Arterial-phase contrast-enhanced abdominal CT, axial slice 40 of 94 (counted from the lowest slice); tube voltage 100 kVp, convolution kernel I41f; slices 5.00 mm thick, 0.551 mm per pixel.
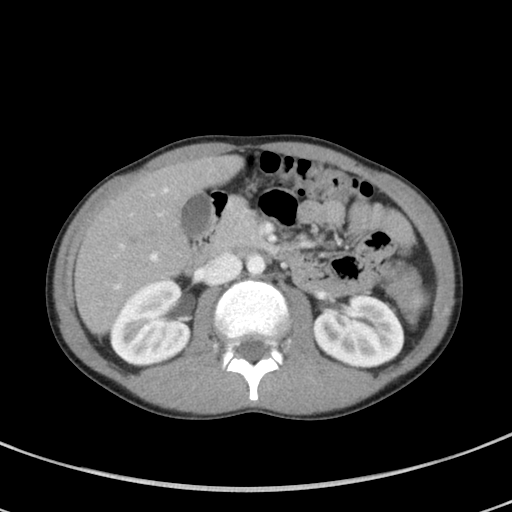
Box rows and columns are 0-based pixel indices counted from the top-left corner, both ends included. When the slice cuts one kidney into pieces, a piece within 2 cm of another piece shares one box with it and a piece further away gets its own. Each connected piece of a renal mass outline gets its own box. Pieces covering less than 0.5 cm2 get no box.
Two boxes on this slice (two kidney boxes), listed by box centre from the image's left to its right. (1) Right kidney, box rows 280–368, columns 108–191 (outlined area 5,345 px, about 16.2 cm2). (2) Box rows 294–368, columns 314–404: left kidney (outlined area 5,111 px, about 15.5 cm2). No renal mass outline on this slice.